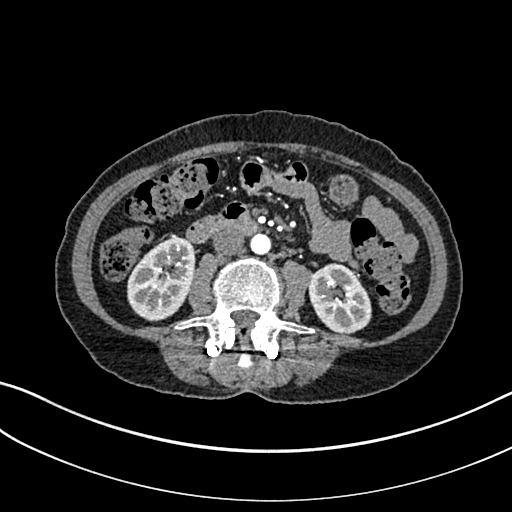
Axial slice 108 of 325 of a contrast-enhanced abdominal CT in the arterial phase (slice 1 is the lowest), 100 kVp, kernel I30f; 1.00 mm slice thickness and 0.703 mm pixels.
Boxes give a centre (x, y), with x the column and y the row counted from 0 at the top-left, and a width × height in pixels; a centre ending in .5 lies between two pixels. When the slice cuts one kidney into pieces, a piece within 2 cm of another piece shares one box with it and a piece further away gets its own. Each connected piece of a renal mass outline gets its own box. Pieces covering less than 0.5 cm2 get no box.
Two kidney boxes on this slice; by box centre, from the image's left to its right: (1) Box centre (161, 278), 69 × 87 pixels: right kidney (outlined area 4,290 px, about 21.2 cm2). (2) Left kidney, box centre (339.5, 298), 64 × 71 pixels (outlined area 3,362 px, about 16.6 cm2). This slice carries no renal mass outline.